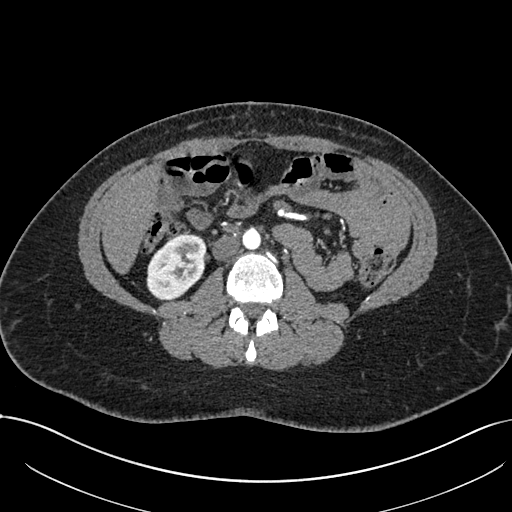
One axial slice (359 of 738, counting up from the lowest) of an arterial-phase abdominal CT acquired with 120 kVp, kernel I30f; each pixel is 0.789 mm and the slice is 1.00 mm thick.
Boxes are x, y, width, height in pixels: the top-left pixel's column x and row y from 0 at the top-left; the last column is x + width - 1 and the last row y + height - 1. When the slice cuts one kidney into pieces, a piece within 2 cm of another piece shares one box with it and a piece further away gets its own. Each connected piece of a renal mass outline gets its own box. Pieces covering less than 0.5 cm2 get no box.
Box x 146, y 234, width 61, height 66: right kidney (outlined area 2,973 px, about 18.5 cm2). No renal mass is outlined on this slice.